Axial slice 765 of 987 of a contrast-enhanced abdominal CT in the arterial phase (slice 1 is the lowest), 120 kVp, kernel I26f; 1.00 mm slice thickness and 0.977 mm pixels.
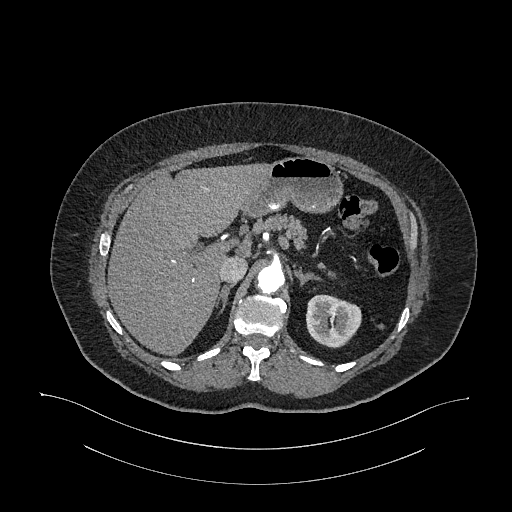
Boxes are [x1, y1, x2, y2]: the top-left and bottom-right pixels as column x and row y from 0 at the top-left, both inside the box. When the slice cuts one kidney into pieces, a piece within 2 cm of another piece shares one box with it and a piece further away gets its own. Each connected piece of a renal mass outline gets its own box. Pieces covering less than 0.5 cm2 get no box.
Left kidney, box [306, 294, 361, 348] (outlined area 2,327 px, about 22.2 cm2). No renal mass outline on this slice.